Arterial-phase contrast-enhanced abdominal CT, axial slice 393 of 602 (counted from the lowest slice); tube voltage 120 kVp, convolution kernel I30f; slices 1.00 mm thick, 0.799 mm per pixel.
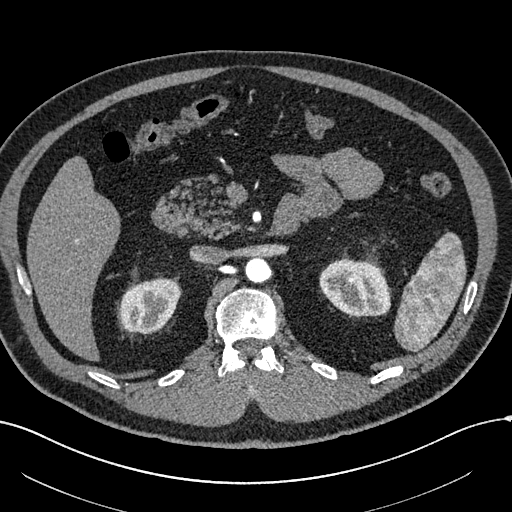
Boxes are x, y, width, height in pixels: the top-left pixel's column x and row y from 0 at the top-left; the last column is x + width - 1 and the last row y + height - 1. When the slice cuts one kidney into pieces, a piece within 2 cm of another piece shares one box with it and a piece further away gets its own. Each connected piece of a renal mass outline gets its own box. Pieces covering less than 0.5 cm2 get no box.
Boxed on this slice (two kidney boxes), listed by box centre from the image's left to its right: (1) Right kidney at x 119, y 279, width 63, height 55 (outlined area 2,631 px, about 16.8 cm2). (2) Box x 319, y 258, width 73, height 59: left kidney (outlined area 3,307 px, about 21.1 cm2). This slice carries no renal mass outline.